Abdominal CT with intravenous contrast, axial plane, 120 kVp, kernel STANDARD. Slice 52/103 from the bottom of the scan; thickness 2.50 mm; pixel size 0.736 mm.
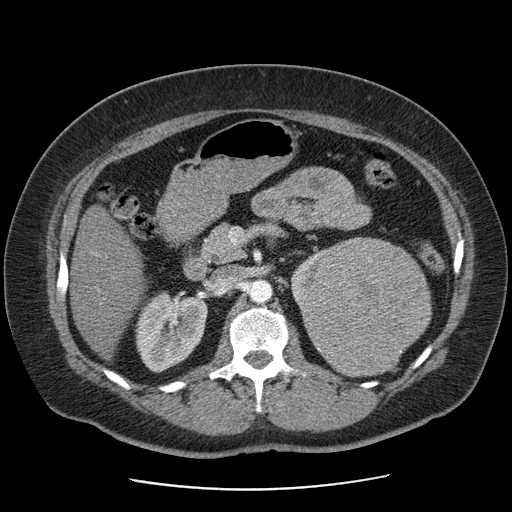
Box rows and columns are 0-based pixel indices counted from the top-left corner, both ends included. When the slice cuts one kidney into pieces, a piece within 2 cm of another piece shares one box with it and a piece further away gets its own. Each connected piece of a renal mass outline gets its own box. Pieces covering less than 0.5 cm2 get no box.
Three boxes on this slice (two kidney boxes and one renal mass box), listed by box centre from the image's left to its right. (1) Right kidney, box rows 291–373, columns 135–207 (outlined area 4,426 px, about 24.0 cm2). (2) Left kidney, box rows 248–308, columns 290–326 (outlined area 859 px, about 4.7 cm2). (3) Left renal mass at rows 236–377, columns 300–431 (outlined area 13,893 px, about 75.3 cm2).